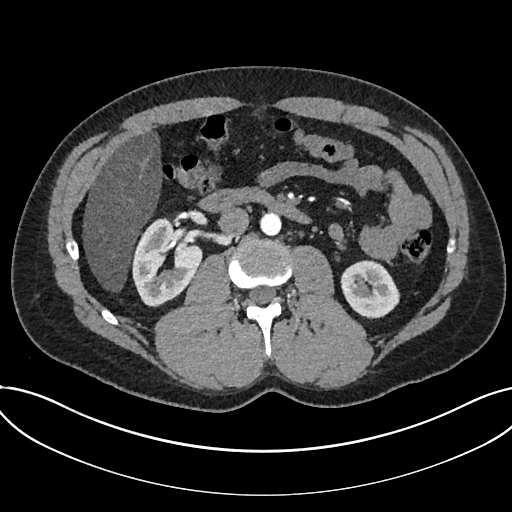
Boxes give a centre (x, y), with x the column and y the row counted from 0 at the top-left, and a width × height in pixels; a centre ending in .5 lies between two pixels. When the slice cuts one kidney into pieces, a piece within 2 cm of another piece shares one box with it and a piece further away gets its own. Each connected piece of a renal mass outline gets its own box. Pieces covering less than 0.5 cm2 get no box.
Arterial-phase contrast-enhanced abdominal CT, axial slice 392 of 735 (counted from the lowest slice); 1.00 mm thick, 0.789 mm per pixel. Boxed on this slice (two kidney boxes), listed by box centre from the image's left to its right: (1) Kidney, box centre (167, 262), 71 × 91 pixels (outlined area 4,251 px, about 26.5 cm2). (2) Kidney, box centre (370, 289), 61 × 59 pixels (outlined area 2,619 px, about 16.3 cm2). No renal mass outline on this slice.
Tube voltage 120 kVp; convolution kernel I30f.